Arterial-phase contrast-enhanced abdominal CT, axial slice 437 of 512 (counted from the lowest slice); tube voltage 120 kVp, convolution kernel B30f; slices 1.00 mm thick, 0.771 mm per pixel.
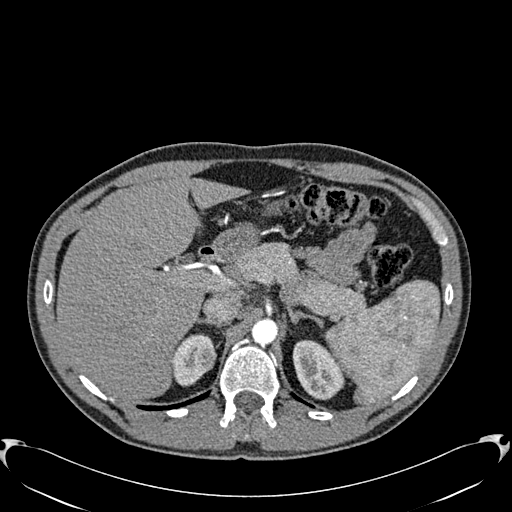
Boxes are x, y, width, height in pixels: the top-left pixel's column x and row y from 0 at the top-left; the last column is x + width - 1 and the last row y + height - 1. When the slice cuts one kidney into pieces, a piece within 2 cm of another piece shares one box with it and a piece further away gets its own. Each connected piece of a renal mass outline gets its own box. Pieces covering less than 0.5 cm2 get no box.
Three boxes on this slice (two kidney boxes and one renal mass box), listed by box centre from the image's left to its right. (1) Box x 171, y 334, width 45, height 53: right kidney (outlined area 1,435 px, about 8.5 cm2). (2) Box x 197, y 350, width 19, height 20: right renal mass (outlined area 261 px, about 1.6 cm2). (3) Left kidney at x 292, y 340, width 53, height 61 (outlined area 2,246 px, about 13.4 cm2).